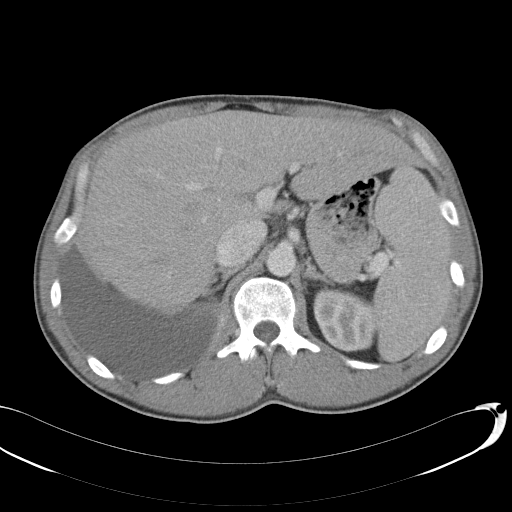
One axial slice (77 of 146, counting up from the lowest) of a contrast-enhanced abdominal CT acquired with 120 kVp, kernel B31f; each pixel is 0.742 mm and the slice is 5.00 mm thick.
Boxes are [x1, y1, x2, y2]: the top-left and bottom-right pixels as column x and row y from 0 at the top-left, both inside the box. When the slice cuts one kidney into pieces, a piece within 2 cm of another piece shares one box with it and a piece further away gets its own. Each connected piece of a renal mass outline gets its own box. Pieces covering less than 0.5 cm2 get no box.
Box [313, 287, 376, 352]: left kidney (outlined area 3,286 px, about 18.1 cm2). No renal mass is outlined on this slice.